One axial slice (581 of 719, counting up from the lowest) of an arterial-phase abdominal CT acquired with 120 kVp, kernel B20f; each pixel is 0.766 mm and the slice is 1.00 mm thick.
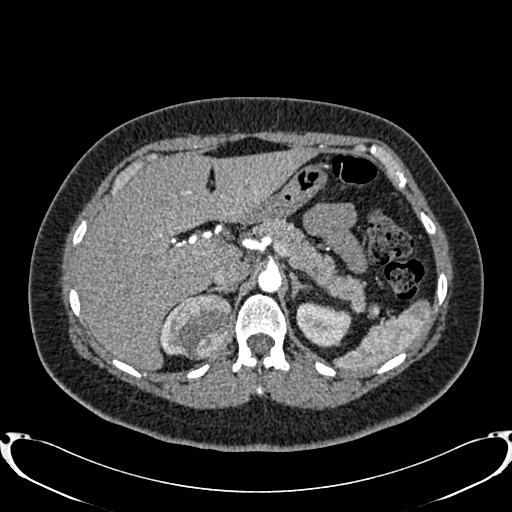
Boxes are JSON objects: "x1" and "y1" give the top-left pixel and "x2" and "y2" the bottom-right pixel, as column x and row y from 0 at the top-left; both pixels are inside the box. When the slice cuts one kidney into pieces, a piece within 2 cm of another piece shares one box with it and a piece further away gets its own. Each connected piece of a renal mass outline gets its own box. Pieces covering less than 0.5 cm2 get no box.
Boxed on this slice (two kidney boxes and one renal mass box), listed by box centre from the image's left to its right: (1) Box {"x1": 159, "y1": 296, "x2": 192, "y2": 355}: right kidney (outlined area 587 px, about 3.4 cm2). (2) Right renal mass, box {"x1": 172, "y1": 294, "x2": 233, "y2": 359} (outlined area 3,183 px, about 18.7 cm2). (3) Box {"x1": 296, "y1": 302, "x2": 351, "y2": 346}: left kidney (outlined area 1,838 px, about 10.8 cm2).